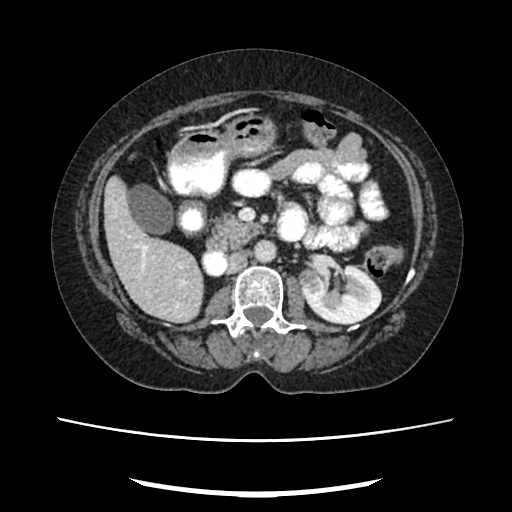
Arterial-phase contrast-enhanced abdominal CT, axial slice 137 of 207 (counted from the lowest slice); tube voltage 120 kVp, convolution kernel FC18; slices 2.00 mm thick, 0.741 mm per pixel.
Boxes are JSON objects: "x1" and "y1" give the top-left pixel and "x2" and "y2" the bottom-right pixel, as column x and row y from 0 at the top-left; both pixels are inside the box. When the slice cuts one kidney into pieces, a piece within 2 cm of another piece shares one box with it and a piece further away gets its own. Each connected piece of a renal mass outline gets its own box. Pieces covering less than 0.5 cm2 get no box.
Two boxes on this slice (one kidney box and one renal mass box), listed by box centre from the image's left to its right. (1) Left renal mass at {"x1": 298, "y1": 268, "x2": 317, "y2": 289} (outlined area 307 px, about 1.7 cm2). (2) Left kidney, box {"x1": 300, "y1": 264, "x2": 381, "y2": 325} (outlined area 3,560 px, about 19.5 cm2).